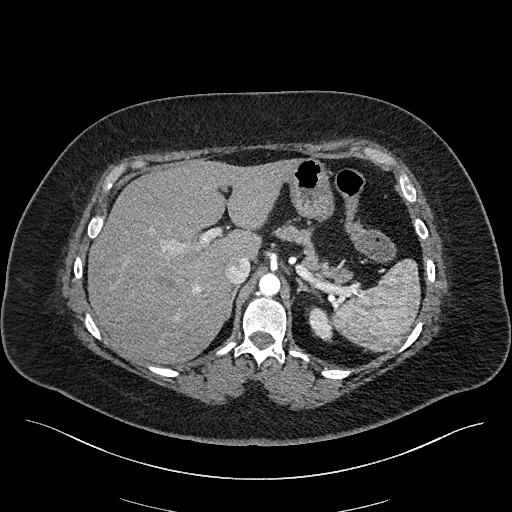
Axial slice 167 of 270 of a contrast-enhanced abdominal CT in the arterial phase (slice 1 is the lowest), 100 kVp, kernel I40f; 2.00 mm slice thickness and 0.855 mm pixels.
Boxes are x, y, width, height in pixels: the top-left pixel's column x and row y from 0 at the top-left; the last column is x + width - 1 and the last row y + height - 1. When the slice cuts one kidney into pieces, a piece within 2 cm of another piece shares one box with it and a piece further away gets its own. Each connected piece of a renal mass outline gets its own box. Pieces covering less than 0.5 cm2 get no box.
Box x 308, y 306, width 25, height 37: left kidney (outlined area 620 px, about 4.5 cm2). No renal mass outline on this slice.